Axial slice 81 of 145 of a contrast-enhanced abdominal CT (slice 1 is the lowest), 120 kVp, kernel B41f; 5.00 mm slice thickness and 0.859 mm pixels.
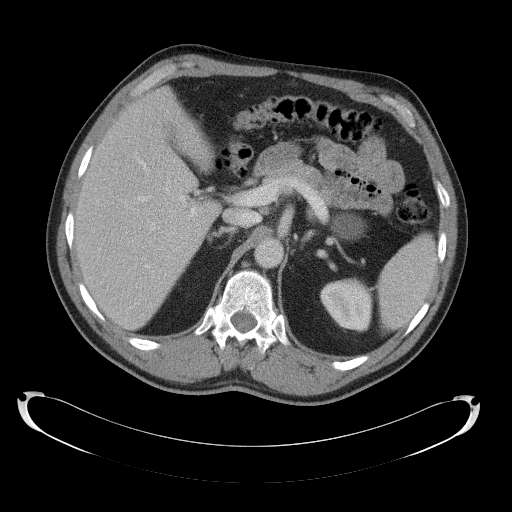
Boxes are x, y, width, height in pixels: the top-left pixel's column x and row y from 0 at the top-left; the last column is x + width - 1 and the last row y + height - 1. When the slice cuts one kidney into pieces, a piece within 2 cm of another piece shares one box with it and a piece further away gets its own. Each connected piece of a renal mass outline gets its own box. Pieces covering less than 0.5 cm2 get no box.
Two boxes on this slice (two kidney boxes), listed by box centre from the image's left to its right. (1) Left kidney (one of two boxed parts) at x 319, y 277, width 55, height 56 (outlined area 2,241 px, about 16.6 cm2). (2) Box x 329, y 212, width 37, height 28: left kidney (one of two boxed parts) (outlined area 760 px, about 5.6 cm2). No renal mass is outlined on this slice.